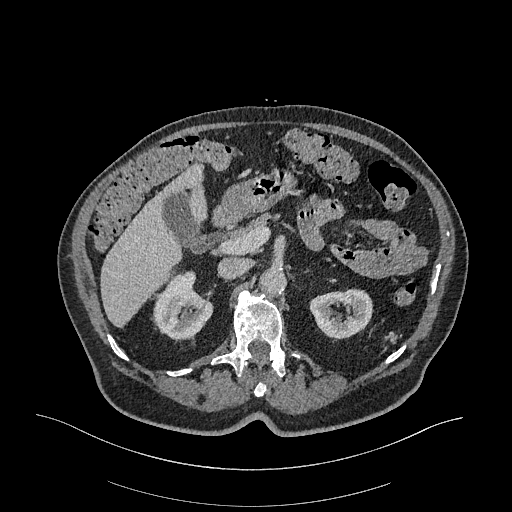
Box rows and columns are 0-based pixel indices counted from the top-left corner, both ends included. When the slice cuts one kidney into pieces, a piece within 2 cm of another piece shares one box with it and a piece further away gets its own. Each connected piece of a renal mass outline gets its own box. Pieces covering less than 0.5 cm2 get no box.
Arterial-phase contrast-enhanced abdominal CT, axial slice 213 of 470 (counted from the lowest slice); 1.00 mm thick, 0.938 mm per pixel. Two boxes on this slice (two kidney boxes), listed by box centre from the image's left to its right. (1) Box rows 270–340, columns 153–212: right kidney (outlined area 2,801 px, about 24.6 cm2). (2) Box rows 288–338, columns 309–372: left kidney (outlined area 2,364 px, about 20.8 cm2). This slice carries no renal mass outline.
Tube voltage 120 kVp; convolution kernel I26f.